Arterial-phase contrast-enhanced abdominal CT, axial slice 337 of 670 (counted from the lowest slice); tube voltage 120 kVp, convolution kernel I30f; slices 1.00 mm thick, 0.861 mm per pixel.
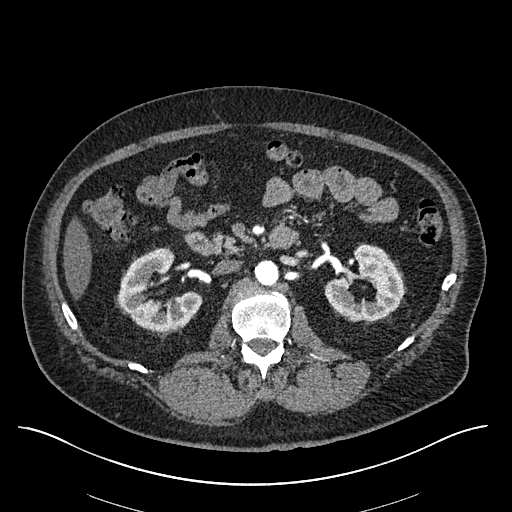
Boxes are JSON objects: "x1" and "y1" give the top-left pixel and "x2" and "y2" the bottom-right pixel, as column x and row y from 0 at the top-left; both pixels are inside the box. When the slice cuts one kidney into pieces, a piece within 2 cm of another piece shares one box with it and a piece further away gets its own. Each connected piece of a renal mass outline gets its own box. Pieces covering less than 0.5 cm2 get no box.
Two boxes on this slice (two kidney boxes), listed by box centre from the image's left to its right. (1) Box {"x1": 117, "y1": 247, "x2": 201, "y2": 331}: right kidney (outlined area 4,217 px, about 31.3 cm2). (2) Left kidney at {"x1": 324, "y1": 244, "x2": 403, "y2": 320} (outlined area 3,915 px, about 29.0 cm2).